Contrast-enhanced abdominal CT, axial slice 35 of 69 (counted from the lowest slice); tube voltage 140 kVp, convolution kernel I41f; slices 3.00 mm thick, 0.736 mm per pixel.
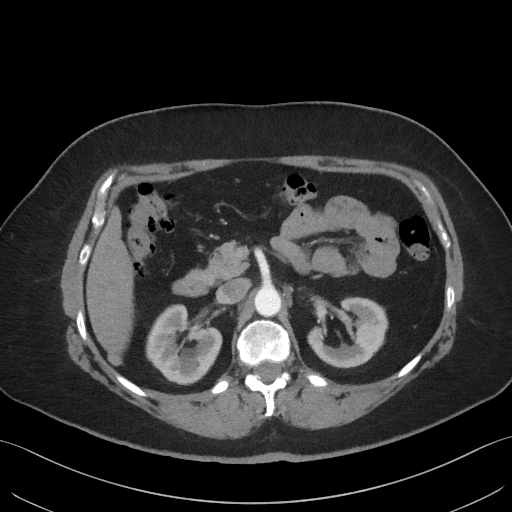
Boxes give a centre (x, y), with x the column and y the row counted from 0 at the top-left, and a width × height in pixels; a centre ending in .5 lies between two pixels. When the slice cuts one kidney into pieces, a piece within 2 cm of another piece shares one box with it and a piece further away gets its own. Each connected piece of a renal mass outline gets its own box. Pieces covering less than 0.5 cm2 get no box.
Two boxes on this slice (two kidney boxes), listed by box centre from the image's left to its right. (1) Box centre (183.5, 344), 78 × 81 pixels: right kidney (outlined area 4,320 px, about 23.4 cm2). (2) Box centre (347.5, 332.5), 82 × 72 pixels: left kidney (outlined area 3,646 px, about 19.8 cm2). No renal mass outline on this slice.